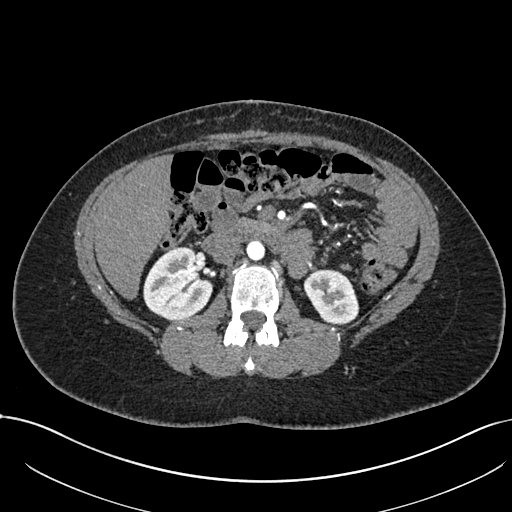
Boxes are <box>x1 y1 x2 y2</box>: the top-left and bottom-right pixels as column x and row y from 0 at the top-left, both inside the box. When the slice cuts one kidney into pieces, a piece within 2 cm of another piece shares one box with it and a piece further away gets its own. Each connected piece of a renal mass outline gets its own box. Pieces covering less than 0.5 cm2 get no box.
This is axial slice 414 of 738 (slice 1 is the lowest) of an arterial-phase abdominal CT with contrast; each pixel is 0.789 mm and the slice is 1.00 mm thick. Boxed on this slice (two kidney boxes), listed by box centre from the image's left to its right: (1) Right kidney at <box>143 246 213 320</box> (outlined area 3,840 px, about 23.9 cm2). (2) Left kidney: <box>303 269 359 324</box> (outlined area 2,284 px, about 14.2 cm2). This slice carries no renal mass outline.
Acquired at 120 kVp and reconstructed with the I30f kernel.